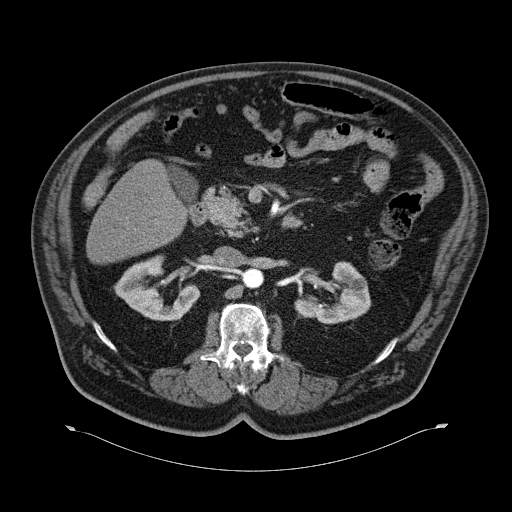
One axial slice (36 of 70, counting up from the lowest) of an arterial-phase abdominal CT acquired with 120 kVp, kernel B30f; each pixel is 0.977 mm and the slice is 5.00 mm thick.
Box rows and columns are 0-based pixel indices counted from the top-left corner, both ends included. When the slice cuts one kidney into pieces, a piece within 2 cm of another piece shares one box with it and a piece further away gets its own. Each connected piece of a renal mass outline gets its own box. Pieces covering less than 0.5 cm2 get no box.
Boxed on this slice (two kidney boxes), listed by box centre from the image's left to its right: (1) Right kidney at rows 258–320, columns 117–200 (outlined area 3,106 px, about 29.6 cm2). (2) Box rows 263–324, columns 297–371: left kidney (outlined area 2,752 px, about 26.2 cm2). No renal mass is outlined on this slice.